One axial slice (456 of 634, counting up from the lowest) of an arterial-phase abdominal CT acquired with 120 kVp, kernel B20f; each pixel is 0.838 mm and the slice is 1.00 mm thick.
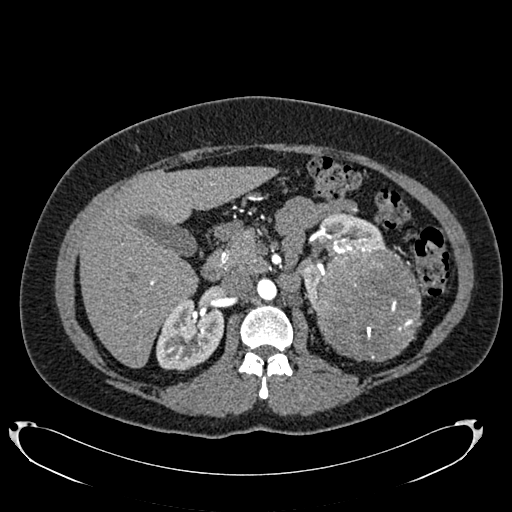
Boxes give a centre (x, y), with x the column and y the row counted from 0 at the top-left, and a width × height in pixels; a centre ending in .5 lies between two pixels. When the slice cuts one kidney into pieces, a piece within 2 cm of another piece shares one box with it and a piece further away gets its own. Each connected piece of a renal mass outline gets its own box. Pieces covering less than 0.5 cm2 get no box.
Two kidney boxes and one renal mass box on this slice; by box centre, from the image's left to its right: (1) Right kidney, box centre (190, 333), 69 × 77 pixels (outlined area 3,780 px, about 26.5 cm2). (2) Left kidney, box centre (342.5, 261.5), 86 × 100 pixels (outlined area 2,757 px, about 19.4 cm2). (3) Left renal mass in a box with centre (368, 302), 109 × 119 pixels (outlined area 10,338 px, about 72.6 cm2).